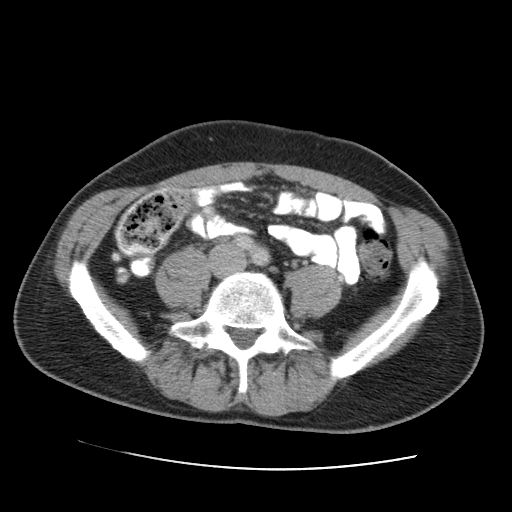
Arterial-phase contrast-enhanced abdominal CT, axial slice 48 of 105 (counted from the lowest slice); tube voltage 120 kVp, convolution kernel STANDARD; slices 5.00 mm thick, 0.707 mm per pixel.
Neither a kidney nor a renal mass is outlined here. Only kidneys and renal masses are outlined anywhere in this scan; other structures are never outlined.